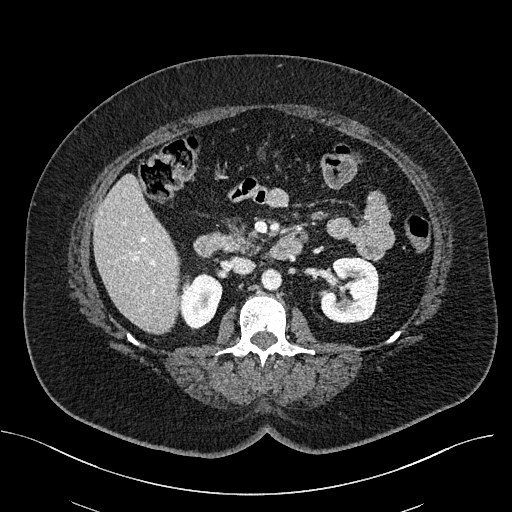
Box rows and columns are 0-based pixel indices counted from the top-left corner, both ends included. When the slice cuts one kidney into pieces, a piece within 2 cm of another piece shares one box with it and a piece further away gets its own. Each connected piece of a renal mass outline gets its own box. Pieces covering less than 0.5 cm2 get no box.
This is axial slice 300 of 470 (slice 1 is the lowest) of an abdominal CT with contrast; each pixel is 0.824 mm and the slice is 2.00 mm thick. Boxed on this slice (two kidney boxes), listed by box centre from the image's left to its right: (1) Right kidney, box rows 273–330, columns 178–222 (outlined area 1,891 px, about 12.8 cm2). (2) Left kidney, box rows 257–323, columns 318–378 (outlined area 3,228 px, about 21.9 cm2). No renal mass is outlined on this slice.
Acquired at 100 kVp and reconstructed with the I40f kernel.